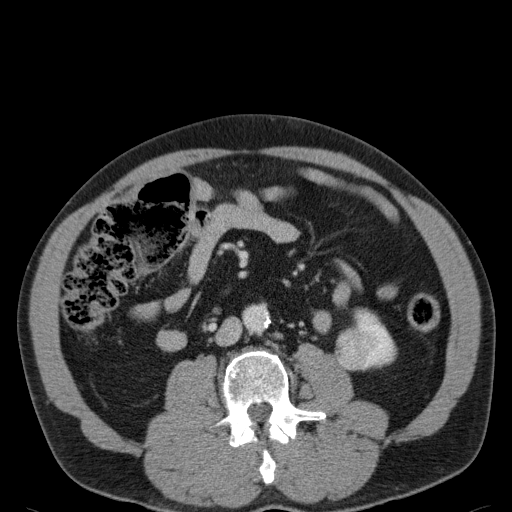
Axial slice 58 of 107 of a contrast-enhanced abdominal CT (slice 1 is the lowest), 120 kVp, kernel B31f; 5.00 mm slice thickness and 0.730 mm pixels.
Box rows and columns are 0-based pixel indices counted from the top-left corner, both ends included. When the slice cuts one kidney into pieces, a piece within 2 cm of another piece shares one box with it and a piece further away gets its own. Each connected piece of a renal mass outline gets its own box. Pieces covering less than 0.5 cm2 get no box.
Two boxes on this slice (one kidney box and one renal mass box), listed by box centre from the image's left to its right. (1) Box rows 327–370, columns 334–368: left renal mass (outlined area 1,157 px, about 6.2 cm2). (2) Box rows 307–368, columns 353–397: left kidney (outlined area 1,598 px, about 8.5 cm2).